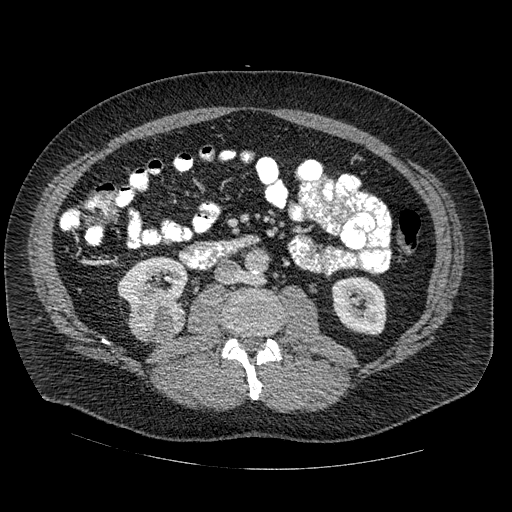
Arterial-phase contrast-enhanced abdominal CT, axial slice 252 of 445 (counted from the lowest slice); tube voltage 120 kVp, convolution kernel STANDARD; slices 1.25 mm thick, 0.863 mm per pixel.
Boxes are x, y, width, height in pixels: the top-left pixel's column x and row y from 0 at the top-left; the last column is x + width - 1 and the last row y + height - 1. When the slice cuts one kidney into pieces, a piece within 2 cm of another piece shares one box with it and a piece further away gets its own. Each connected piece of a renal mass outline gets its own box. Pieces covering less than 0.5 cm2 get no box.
Three boxes on this slice (two kidney boxes and one renal mass box), listed by box centre from the image's left to its right. (1) Right kidney, box x 117, y 256, width 72, height 56 (outlined area 2,726 px, about 20.3 cm2). (2) Right renal mass, box x 129, y 301, width 57, height 44 (outlined area 1,920 px, about 14.3 cm2). (3) Box x 332, y 276, width 55, height 60: left kidney (outlined area 2,604 px, about 19.4 cm2).